Arterial-phase contrast-enhanced abdominal CT, axial slice 35 of 68 (counted from the lowest slice); tube voltage 120 kVp, convolution kernel B31f; slices 5.00 mm thick, 0.961 mm per pixel.
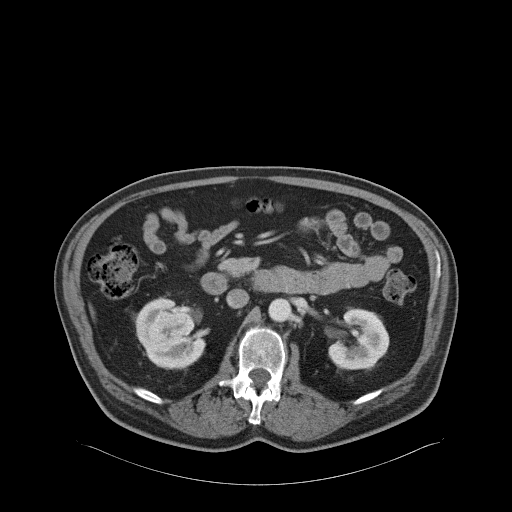
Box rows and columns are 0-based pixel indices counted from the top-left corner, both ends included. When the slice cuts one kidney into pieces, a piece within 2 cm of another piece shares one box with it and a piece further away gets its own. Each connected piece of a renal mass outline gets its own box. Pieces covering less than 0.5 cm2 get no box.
Boxed on this slice (two kidney boxes and one renal mass box), listed by box centre from the image's left to its right: (1) Box rows 296–369, columns 135–205: right kidney (outlined area 2,110 px, about 19.5 cm2). (2) Right renal mass at rows 305–352, columns 148–202 (outlined area 1,740 px, about 16.1 cm2). (3) Left kidney at rows 308–369, columns 327–389 (outlined area 2,774 px, about 25.6 cm2).